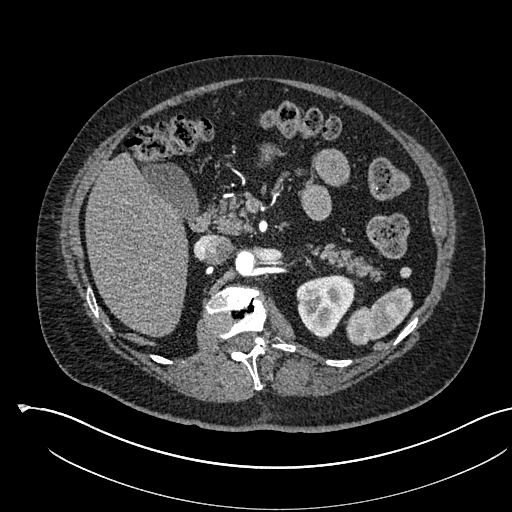
Axial slice 365 of 541 of a contrast-enhanced abdominal CT in the arterial phase (slice 1 is the lowest), 120 kVp, kernel I30f; 1.00 mm slice thickness and 0.834 mm pixels.
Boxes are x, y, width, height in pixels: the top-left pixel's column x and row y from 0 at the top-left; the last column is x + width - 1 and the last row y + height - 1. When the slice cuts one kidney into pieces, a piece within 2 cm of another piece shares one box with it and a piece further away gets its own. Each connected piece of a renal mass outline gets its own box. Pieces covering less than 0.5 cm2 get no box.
Left kidney, box x 296, y 274, width 60, height 66 (outlined area 2,745 px, about 19.1 cm2). No renal mass outline on this slice.